One axial slice (788 of 987, counting up from the lowest) of an arterial-phase abdominal CT acquired with 120 kVp, kernel I26f; each pixel is 0.977 mm and the slice is 1.00 mm thick.
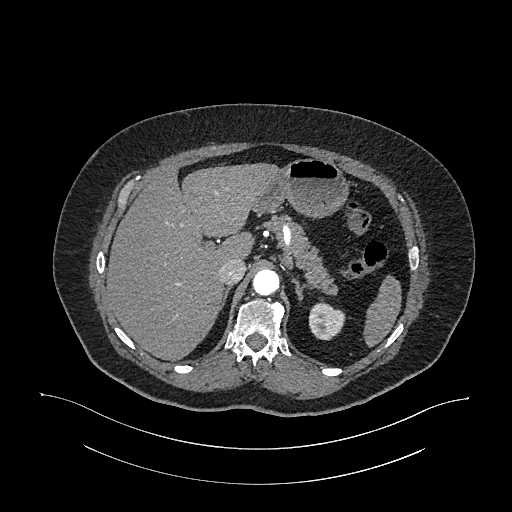
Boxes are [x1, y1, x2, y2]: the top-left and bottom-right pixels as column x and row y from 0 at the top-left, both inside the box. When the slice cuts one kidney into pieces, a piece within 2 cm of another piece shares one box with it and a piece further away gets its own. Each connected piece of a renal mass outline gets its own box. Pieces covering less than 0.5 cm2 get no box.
Left kidney, box [308, 301, 345, 340] (outlined area 1,073 px, about 10.2 cm2). No renal mass outline on this slice.